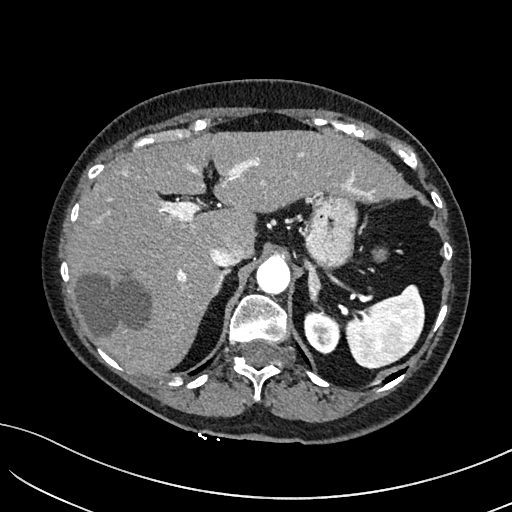
Abdominal CT with intravenous contrast, arterial phase, axial plane, 100 kVp, kernel I40f. Slice 130/234 from the bottom of the scan; thickness 2.00 mm; pixel size 0.699 mm.
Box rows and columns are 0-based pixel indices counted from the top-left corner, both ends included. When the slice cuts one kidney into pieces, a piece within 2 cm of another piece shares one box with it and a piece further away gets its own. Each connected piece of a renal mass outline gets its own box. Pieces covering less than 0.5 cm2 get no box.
Left kidney, box rows 311–353, columns 304–339 (outlined area 1,196 px, about 5.8 cm2). No renal mass is outlined on this slice.